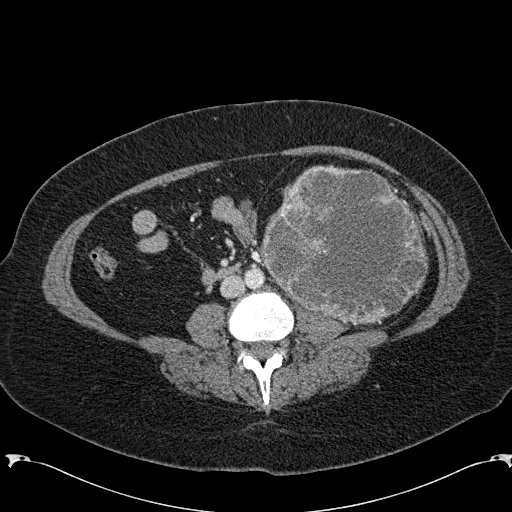
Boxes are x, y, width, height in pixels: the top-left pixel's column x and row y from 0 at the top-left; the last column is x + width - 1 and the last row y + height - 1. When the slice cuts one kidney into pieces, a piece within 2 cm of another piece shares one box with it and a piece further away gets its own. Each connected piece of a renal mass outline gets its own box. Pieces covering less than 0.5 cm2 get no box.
Arterial-phase contrast-enhanced abdominal CT, axial slice 72 of 285 (counted from the lowest slice); 2.00 mm thick, 0.762 mm per pixel. Box x 262, y 164, width 167, height 163: left renal mass (outlined area 20,059 px, about 116.4 cm2); no kidney outline appears on this slice, but the same outlined renal mass comes within 1 cm of the kidney on another slice.
Acquired at 120 kVp and reconstructed with the B31f kernel.